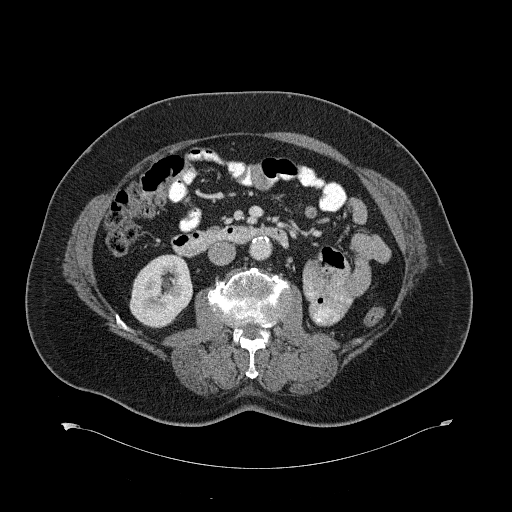
Contrast-enhanced abdominal CT, axial slice 341 of 734 (counted from the lowest slice); tube voltage 120 kVp, convolution kernel B31f; slices 2.00 mm thick, 0.971 mm per pixel.
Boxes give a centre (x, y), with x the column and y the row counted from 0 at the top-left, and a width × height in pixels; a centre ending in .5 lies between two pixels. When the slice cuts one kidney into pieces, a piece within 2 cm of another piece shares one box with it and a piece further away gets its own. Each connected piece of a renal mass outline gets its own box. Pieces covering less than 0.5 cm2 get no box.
Box centre (160.5, 290.5), 64 × 74 pixels: right kidney (outlined area 3,526 px, about 33.2 cm2). No renal mass is outlined on this slice.